One axial slice (421 of 738, counting up from the lowest) of an arterial-phase abdominal CT acquired with 120 kVp, kernel I30f; each pixel is 0.789 mm and the slice is 1.00 mm thick.
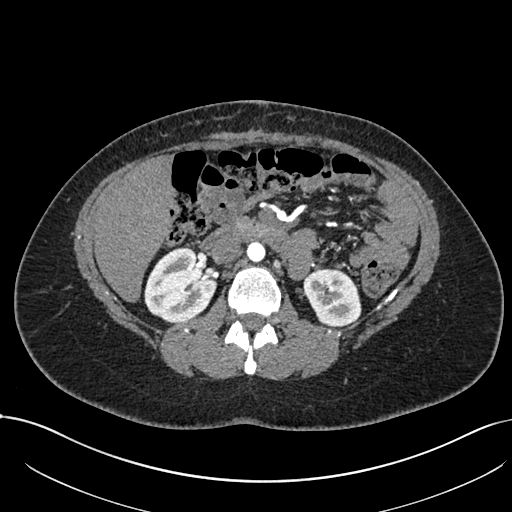
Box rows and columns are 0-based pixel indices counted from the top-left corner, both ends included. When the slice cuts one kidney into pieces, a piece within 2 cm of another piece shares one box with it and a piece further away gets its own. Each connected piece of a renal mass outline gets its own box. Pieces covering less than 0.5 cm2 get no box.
Boxed on this slice (two kidney boxes), listed by box centre from the image's left to its right: (1) Right kidney, box rows 247–322, columns 144–217 (outlined area 4,066 px, about 25.3 cm2). (2) Left kidney, box rows 268–326, columns 303–361 (outlined area 2,636 px, about 16.4 cm2). No renal mass is outlined on this slice.